One axial slice (287 of 470, counting up from the lowest) of a contrast-enhanced abdominal CT acquired with 100 kVp, kernel I40f; each pixel is 0.824 mm and the slice is 2.00 mm thick.
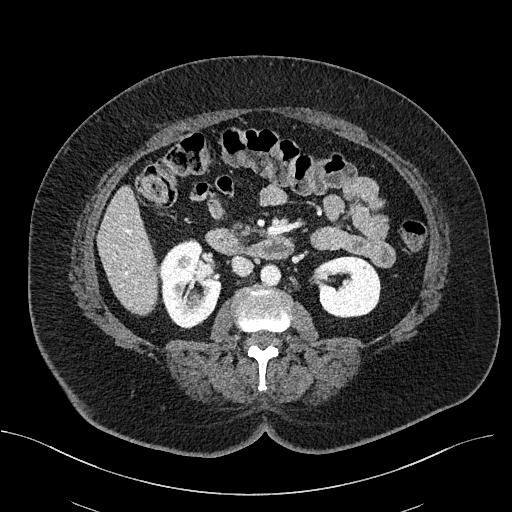
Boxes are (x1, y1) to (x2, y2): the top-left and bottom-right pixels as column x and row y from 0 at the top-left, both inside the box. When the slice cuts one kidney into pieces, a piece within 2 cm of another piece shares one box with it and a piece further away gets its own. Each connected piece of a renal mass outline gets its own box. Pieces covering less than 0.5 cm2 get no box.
Boxed on this slice (two kidney boxes), listed by box centre from the image's left to its right: (1) Right kidney from (159, 238) to (221, 328) (outlined area 4,042 px, about 27.5 cm2). (2) Left kidney, box (313, 256) to (381, 318) (outlined area 3,295 px, about 22.4 cm2).